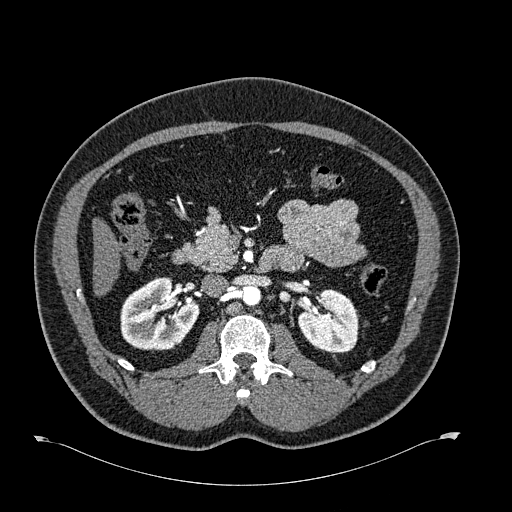
One axial slice (380 of 723, counting up from the lowest) of an arterial-phase abdominal CT acquired with 120 kVp, kernel B30f; each pixel is 0.895 mm and the slice is 1.00 mm thick.
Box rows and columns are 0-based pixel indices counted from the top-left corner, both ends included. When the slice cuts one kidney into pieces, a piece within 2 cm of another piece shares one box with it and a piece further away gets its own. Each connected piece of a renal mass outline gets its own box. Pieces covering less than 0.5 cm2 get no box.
Two boxes on this slice (two kidney boxes), listed by box centre from the image's left to its right. (1) Box rows 276–351, columns 120–199: right kidney (outlined area 4,316 px, about 34.5 cm2). (2) Box rows 289–353, columns 298–358: left kidney (outlined area 2,963 px, about 23.7 cm2). No renal mass outline on this slice.